One axial slice (46 of 121, counting up from the lowest) of an arterial-phase abdominal CT acquired with 120 kVp, kernel STANDARD; each pixel is 0.861 mm and the slice is 2.50 mm thick.
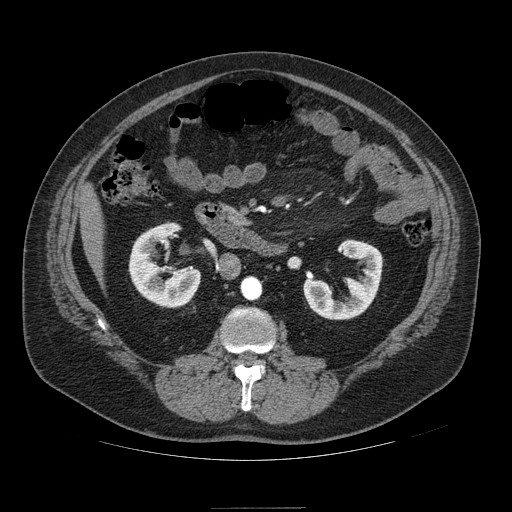
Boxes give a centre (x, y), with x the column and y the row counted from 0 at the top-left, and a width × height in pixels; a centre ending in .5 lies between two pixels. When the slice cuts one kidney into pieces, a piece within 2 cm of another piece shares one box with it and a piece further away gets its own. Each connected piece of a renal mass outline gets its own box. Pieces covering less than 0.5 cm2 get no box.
Boxed on this slice (two kidney boxes), listed by box centre from the image's left to its right: (1) Right kidney in a box with centre (164.5, 264.5), 72 × 86 pixels (outlined area 3,764 px, about 27.9 cm2). (2) Left kidney in a box with centre (342.5, 279), 80 × 81 pixels (outlined area 3,350 px, about 24.9 cm2). This slice carries no renal mass outline.